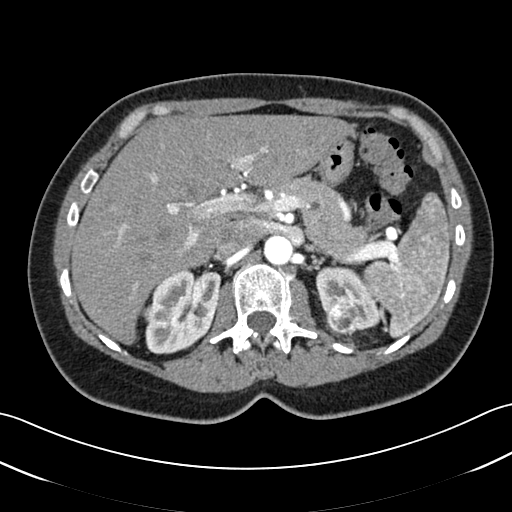
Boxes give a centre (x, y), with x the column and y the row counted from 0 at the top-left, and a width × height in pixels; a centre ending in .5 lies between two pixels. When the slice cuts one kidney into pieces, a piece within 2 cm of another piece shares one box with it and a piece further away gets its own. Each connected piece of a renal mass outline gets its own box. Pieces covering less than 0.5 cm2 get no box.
This is axial slice 34 of 52 (slice 1 is the lowest) of an arterial-phase abdominal CT with contrast; each pixel is 0.678 mm and the slice is 3.00 mm thick. Two kidney boxes and two renal mass boxes on this slice; by box centre, from the image's left to its right: (1) Right renal mass in a box with centre (153.5, 315.5), 36 × 30 pixels (outlined area 738 px, about 3.4 cm2). (2) Right kidney, box centre (183, 311), 77 × 87 pixels (outlined area 4,309 px, about 19.8 cm2). (3) Left renal mass in a box with centre (342.5, 315), 36 × 37 pixels (outlined area 1,013 px, about 4.7 cm2). (4) Box centre (348, 297.5), 65 × 66 pixels: left kidney (outlined area 2,196 px, about 10.1 cm2).
Scan settings: 120 kVp, B30f reconstruction kernel.